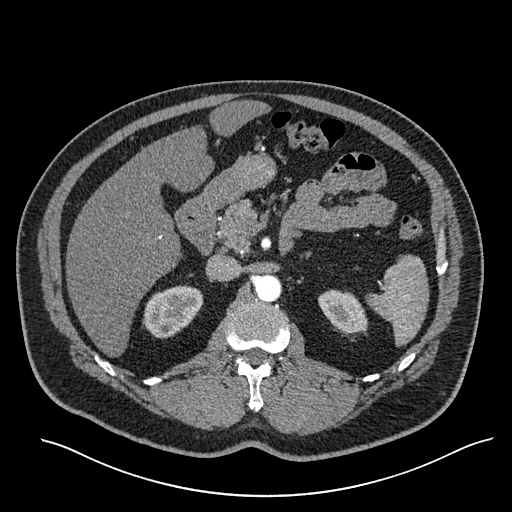
One axial slice (382 of 527, counting up from the lowest) of an arterial-phase abdominal CT acquired with 120 kVp, kernel I30f; each pixel is 0.859 mm and the slice is 1.00 mm thick.
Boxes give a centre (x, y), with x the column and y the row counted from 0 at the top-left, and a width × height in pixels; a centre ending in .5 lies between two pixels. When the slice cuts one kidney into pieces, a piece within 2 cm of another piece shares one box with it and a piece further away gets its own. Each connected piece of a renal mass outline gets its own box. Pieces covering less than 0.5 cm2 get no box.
Boxed on this slice (two kidney boxes), listed by box centre from the image's left to its right: (1) Right kidney in a box with centre (172.5, 311.5), 62 × 54 pixels (outlined area 2,330 px, about 17.2 cm2). (2) Box centre (342.5, 311), 50 × 45 pixels: left kidney (outlined area 1,576 px, about 11.6 cm2). This slice carries no renal mass outline.